Abdominal CT with intravenous contrast, arterial phase, axial plane, 120 kVp, kernel B31f. Slice 190/326 from the bottom of the scan; thickness 2.00 mm; pixel size 0.963 mm.
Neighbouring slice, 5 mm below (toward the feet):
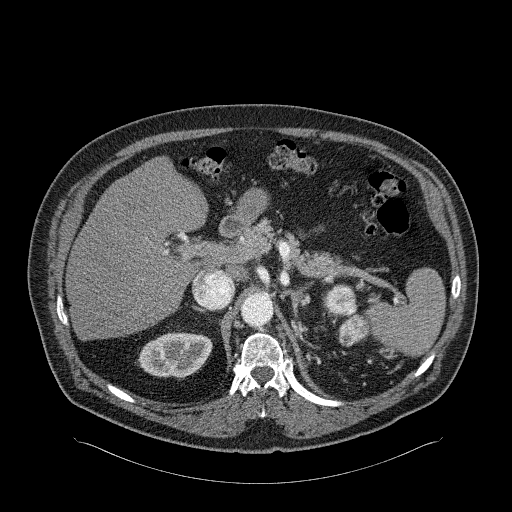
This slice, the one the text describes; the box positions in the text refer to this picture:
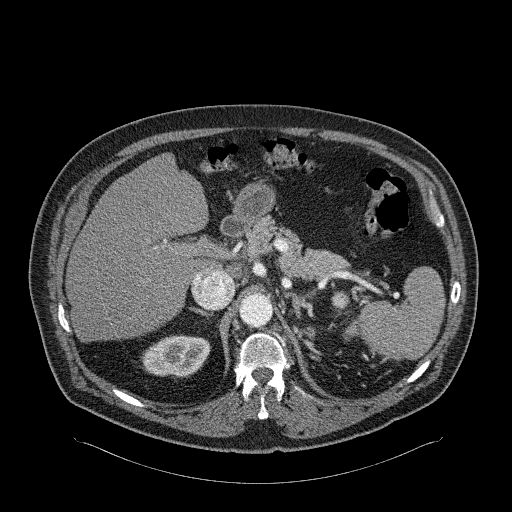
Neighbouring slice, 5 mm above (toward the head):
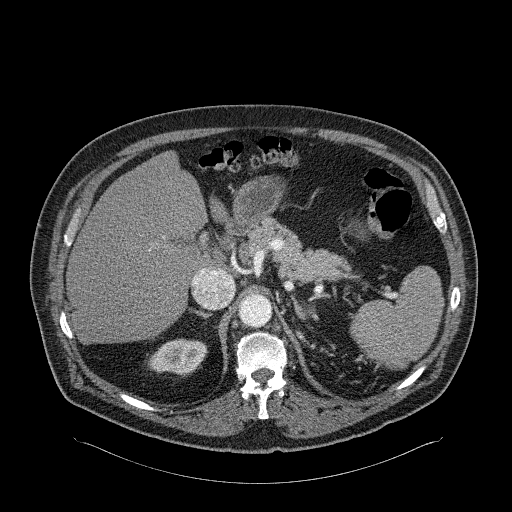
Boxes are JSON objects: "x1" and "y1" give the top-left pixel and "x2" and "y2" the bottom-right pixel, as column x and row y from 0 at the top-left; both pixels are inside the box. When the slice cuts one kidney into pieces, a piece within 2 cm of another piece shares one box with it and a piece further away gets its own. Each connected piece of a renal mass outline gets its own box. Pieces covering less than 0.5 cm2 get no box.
Three boxes on this slice (one kidney box and two renal mass boxes), listed by box centre from the image's left to its right. (1) Box {"x1": 141, "y1": 335, "x2": 210, "y2": 377}: right kidney (outlined area 2,305 px, about 21.4 cm2). (2) Box {"x1": 331, "y1": 291, "x2": 347, "y2": 307}: left renal mass (outlined area 218 px, about 2.0 cm2); it sits over 1 cm from every kidney outline on this slice, but the same outlined renal mass comes within 1 cm of the kidney on another slice. (3) Left renal mass, box {"x1": 343, "y1": 321, "x2": 355, "y2": 337} (outlined area 142 px, about 1.3 cm2); here it is more than 1 cm from any kidney outline, though on another slice the same outlined renal mass lies within 1 cm of the kidney. This slice lies near the end of the left renal mass toward the head; the slices 5 mm below and 5 mm above it are shown too, and the boxes mark positions on this slice only.